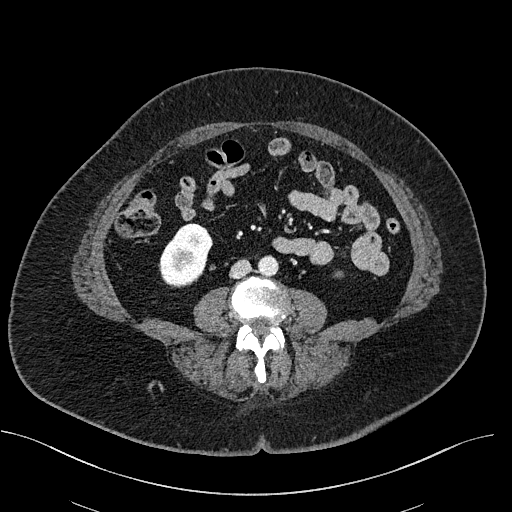
Abdominal CT with intravenous contrast, axial plane, 100 kVp, kernel I40f. Slice 249/470 from the bottom of the scan; thickness 2.00 mm; pixel size 0.824 mm.
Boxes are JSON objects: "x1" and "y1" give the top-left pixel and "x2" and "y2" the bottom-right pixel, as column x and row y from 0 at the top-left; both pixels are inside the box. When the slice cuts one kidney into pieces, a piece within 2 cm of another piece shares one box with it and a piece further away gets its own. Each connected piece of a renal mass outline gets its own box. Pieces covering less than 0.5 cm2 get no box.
Right kidney at {"x1": 158, "y1": 223, "x2": 212, "y2": 287} (outlined area 2,477 px, about 16.8 cm2). This slice carries no renal mass outline.